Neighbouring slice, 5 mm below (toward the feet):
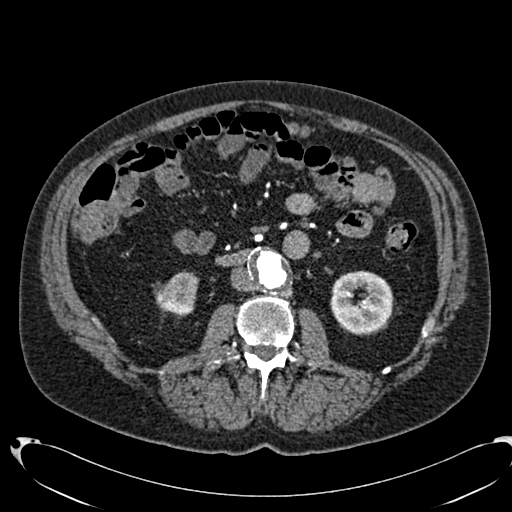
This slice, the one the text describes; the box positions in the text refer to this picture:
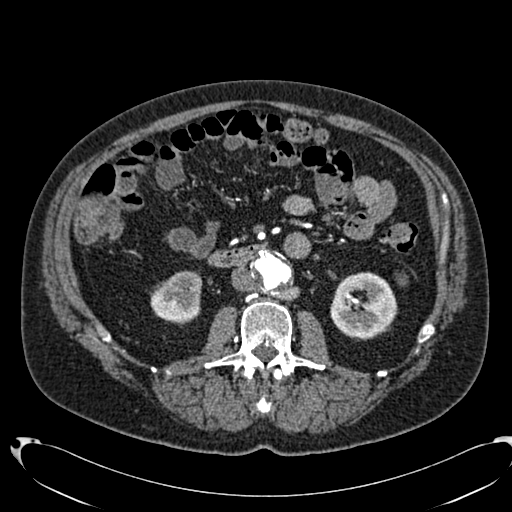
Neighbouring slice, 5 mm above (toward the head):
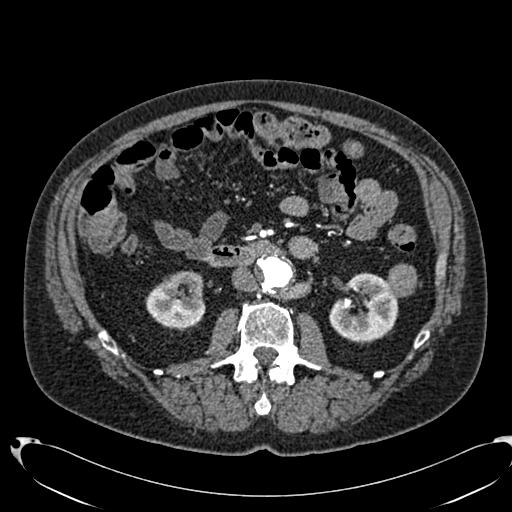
One axial slice (373 of 553, counting up from the lowest) of an arterial-phase abdominal CT acquired with 120 kVp, kernel B20f; each pixel is 0.773 mm and the slice is 1.00 mm thick.
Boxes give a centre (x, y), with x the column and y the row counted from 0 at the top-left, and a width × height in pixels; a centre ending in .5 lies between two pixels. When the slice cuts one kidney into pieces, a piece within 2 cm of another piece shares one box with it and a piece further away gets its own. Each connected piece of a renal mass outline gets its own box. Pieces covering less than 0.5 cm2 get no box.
Boxed on this slice (two kidney boxes and one renal mass box), listed by box centre from the image's left to its right: (1) Right kidney in a box with centre (175.5, 296.5), 52 × 54 pixels (outlined area 2,112 px, about 12.6 cm2). (2) Box centre (363.5, 306), 68 × 69 pixels: left kidney (outlined area 3,484 px, about 20.8 cm2). (3) Left renal mass, box centre (401.5, 279.5), 12 × 12 pixels (outlined area 114 px, about 0.7 cm2). This slice is near the end of the left renal mass toward the feet, so the slices 5 mm below and 5 mm above it are shown as well; the boxes refer to this slice only.